One axial slice (241 of 548, counting up from the lowest) of an arterial-phase abdominal CT acquired with 120 kVp, kernel I26f; each pixel is 0.852 mm and the slice is 1.00 mm thick.
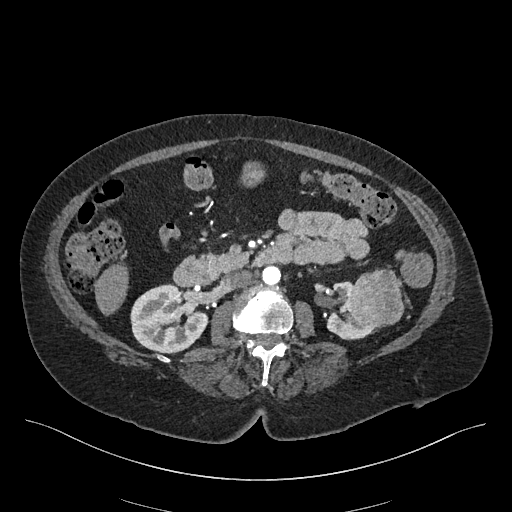
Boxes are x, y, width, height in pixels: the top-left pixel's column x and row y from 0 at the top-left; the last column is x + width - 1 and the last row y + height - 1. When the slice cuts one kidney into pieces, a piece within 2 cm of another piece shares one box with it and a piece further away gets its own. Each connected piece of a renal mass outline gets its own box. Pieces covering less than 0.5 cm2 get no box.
Two kidney boxes and one renal mass box on this slice; by box centre, from the image's left to its right: (1) Box x 130, y 284, width 79, height 70: right kidney (outlined area 4,010 px, about 29.1 cm2). (2) Left kidney, box x 326, y 281, width 55, height 60 (outlined area 1,396 px, about 10.1 cm2). (3) Box x 345, y 268, width 60, height 60: left renal mass (outlined area 2,733 px, about 19.8 cm2).